One axial slice (53 of 90, counting up from the lowest) of a contrast-enhanced abdominal CT acquired with 100 kVp, kernel I40f; each pixel is 0.684 mm and the slice is 5.00 mm thick.
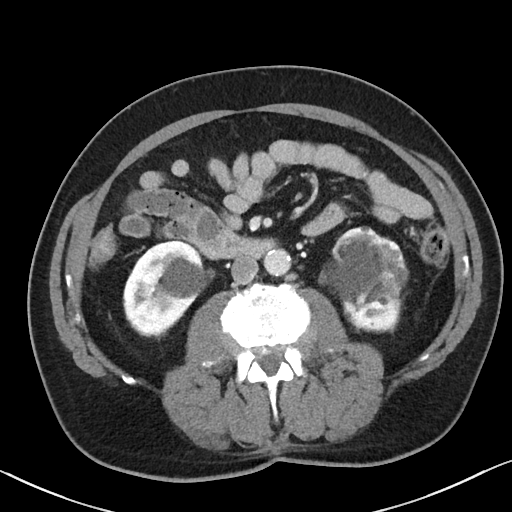
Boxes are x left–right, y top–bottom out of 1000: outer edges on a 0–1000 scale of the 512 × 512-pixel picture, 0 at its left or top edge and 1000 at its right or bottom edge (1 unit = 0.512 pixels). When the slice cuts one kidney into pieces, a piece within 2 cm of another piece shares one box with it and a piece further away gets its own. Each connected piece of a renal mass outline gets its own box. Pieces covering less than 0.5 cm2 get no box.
Two boxes on this slice (two kidney boxes), listed by box centre from the image's left to its right. (1) Right kidney, box x 240–422, y 467–660 out of 1000 (outlined area 5,973 px, about 27.9 cm2). (2) Left kidney, box x 621–799, y 441–652 out of 1000 (outlined area 6,579 px, about 30.7 cm2). No renal mass outline on this slice.